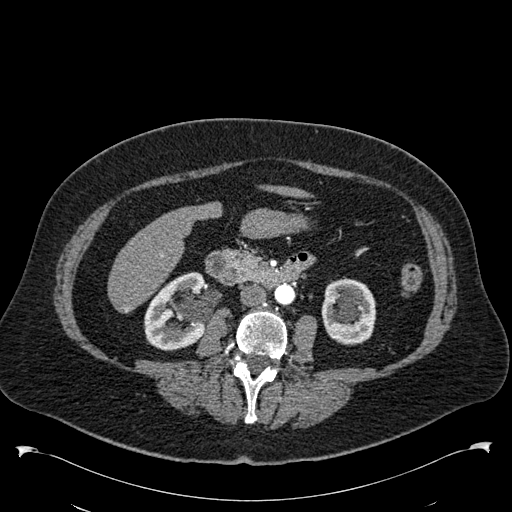
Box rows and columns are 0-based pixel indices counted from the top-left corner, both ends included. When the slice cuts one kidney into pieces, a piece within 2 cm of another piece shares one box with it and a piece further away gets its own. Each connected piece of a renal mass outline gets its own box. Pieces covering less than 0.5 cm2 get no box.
Arterial-phase contrast-enhanced abdominal CT, axial slice 280 of 538 (counted from the lowest slice); 1.00 mm thick, 0.811 mm per pixel. Two boxes on this slice (two kidney boxes), listed by box centre from the image's left to its right. (1) Right kidney at rows 272–350, columns 144–205 (outlined area 3,705 px, about 24.3 cm2). (2) Left kidney at rows 277–345, columns 321–376 (outlined area 3,007 px, about 19.8 cm2). This slice carries no renal mass outline.
Acquired at 120 kVp and reconstructed with the B30f kernel.